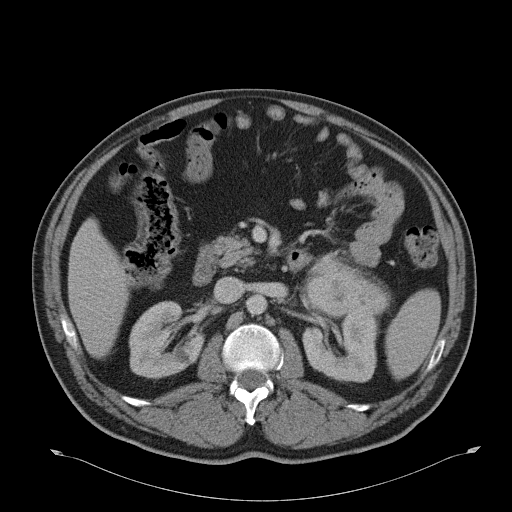
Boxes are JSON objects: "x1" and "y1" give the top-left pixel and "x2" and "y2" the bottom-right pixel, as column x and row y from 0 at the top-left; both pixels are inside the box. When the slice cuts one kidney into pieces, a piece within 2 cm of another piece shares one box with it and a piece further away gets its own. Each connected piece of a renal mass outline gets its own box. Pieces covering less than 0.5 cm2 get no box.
Contrast-enhanced abdominal CT, axial slice 23 of 51 (counted from the lowest slice); 5.00 mm thick, 0.865 mm per pixel. Two kidney boxes and one renal mass box on this slice; by box centre, from the image's left to its right: (1) Right kidney, box {"x1": 129, "y1": 301, "x2": 204, "y2": 378} (outlined area 4,212 px, about 31.5 cm2). (2) Left kidney at {"x1": 302, "y1": 313, "x2": 376, "y2": 382} (outlined area 3,961 px, about 29.7 cm2). (3) Box {"x1": 307, "y1": 273, "x2": 387, "y2": 316}: left renal mass (outlined area 2,645 px, about 19.8 cm2).
Acquired at 120 kVp and reconstructed with the B31f kernel.